Axial slice 362 of 734 of a contrast-enhanced abdominal CT (slice 1 is the lowest), 120 kVp, kernel B31f; 2.00 mm slice thickness and 0.971 mm pixels.
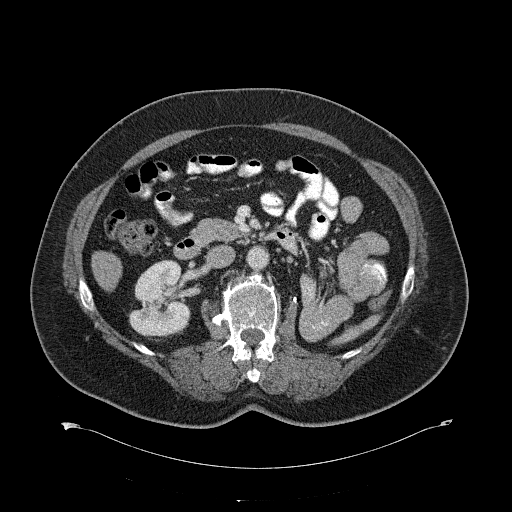
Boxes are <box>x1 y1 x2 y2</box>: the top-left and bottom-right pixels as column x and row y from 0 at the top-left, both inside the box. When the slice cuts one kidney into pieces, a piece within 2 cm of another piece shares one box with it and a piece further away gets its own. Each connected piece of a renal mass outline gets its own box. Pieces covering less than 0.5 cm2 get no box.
At <box>128 259 191 337</box>: right kidney (outlined area 3,565 px, about 33.6 cm2). This slice carries no renal mass outline.